Abdominal CT with intravenous contrast, arterial phase, axial plane, 120 kVp, kernel B31f. Slice 139/279 from the bottom of the scan; thickness 2.00 mm; pixel size 0.824 mm.
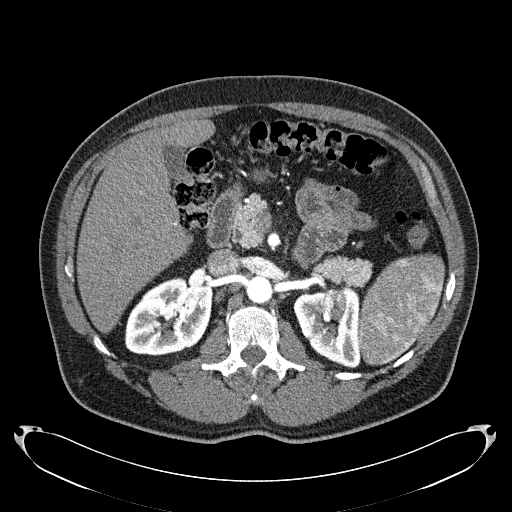
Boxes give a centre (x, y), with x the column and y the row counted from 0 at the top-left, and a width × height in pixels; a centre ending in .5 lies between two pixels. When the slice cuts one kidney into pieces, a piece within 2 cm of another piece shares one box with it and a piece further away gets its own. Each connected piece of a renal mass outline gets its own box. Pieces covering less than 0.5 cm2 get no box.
Two kidney boxes and one renal mass box on this slice; by box centre, from the image's left to its right: (1) Right kidney in a box with centre (168, 316), 89 × 79 pixels (outlined area 5,325 px, about 36.2 cm2). (2) Left kidney, box centre (327, 327), 69 × 83 pixels (outlined area 3,425 px, about 23.3 cm2). (3) Box centre (333.5, 303.5), 26 × 34 pixels: left renal mass (outlined area 657 px, about 4.5 cm2).